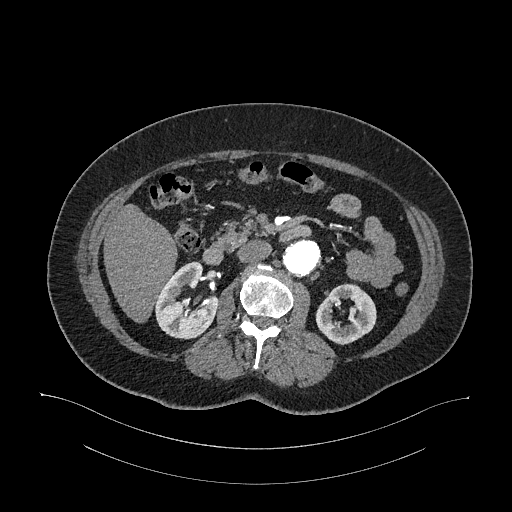
Arterial-phase contrast-enhanced abdominal CT, axial slice 640 of 987 (counted from the lowest slice); tube voltage 120 kVp, convolution kernel I26f; slices 1.00 mm thick, 0.977 mm per pixel.
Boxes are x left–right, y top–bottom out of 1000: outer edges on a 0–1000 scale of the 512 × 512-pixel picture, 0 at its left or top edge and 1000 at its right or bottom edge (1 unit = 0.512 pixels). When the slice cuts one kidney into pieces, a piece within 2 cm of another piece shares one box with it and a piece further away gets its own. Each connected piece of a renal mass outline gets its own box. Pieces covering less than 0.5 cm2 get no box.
Boxed on this slice (two kidney boxes), listed by box centre from the image's left to its right: (1) Box x 303–428, y 510–664 out of 1000: right kidney (outlined area 3,294 px, about 31.4 cm2). (2) Box x 615–736, y 553–674 out of 1000: left kidney (outlined area 2,539 px, about 24.2 cm2). No renal mass is outlined on this slice.